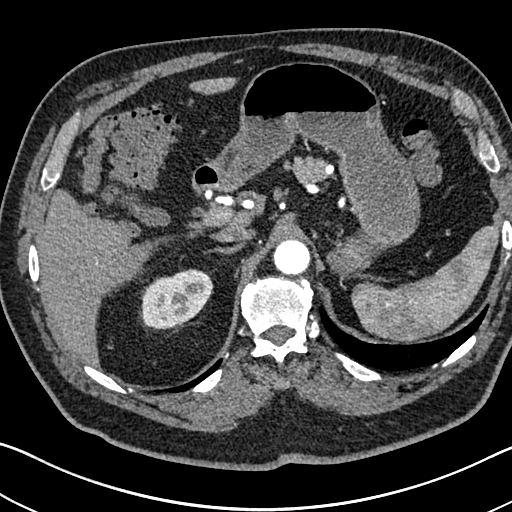
Arterial-phase contrast-enhanced abdominal CT, axial slice 539 of 705 (counted from the lowest slice); tube voltage 120 kVp, convolution kernel I30f; slices 1.00 mm thick, 0.703 mm per pixel.
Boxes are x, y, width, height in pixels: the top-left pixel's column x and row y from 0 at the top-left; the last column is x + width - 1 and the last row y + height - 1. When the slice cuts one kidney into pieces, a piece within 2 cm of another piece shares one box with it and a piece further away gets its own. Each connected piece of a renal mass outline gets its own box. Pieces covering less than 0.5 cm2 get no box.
Box x 139, y 268, width 75, height 63: right kidney (outlined area 3,319 px, about 16.4 cm2). No renal mass outline on this slice.